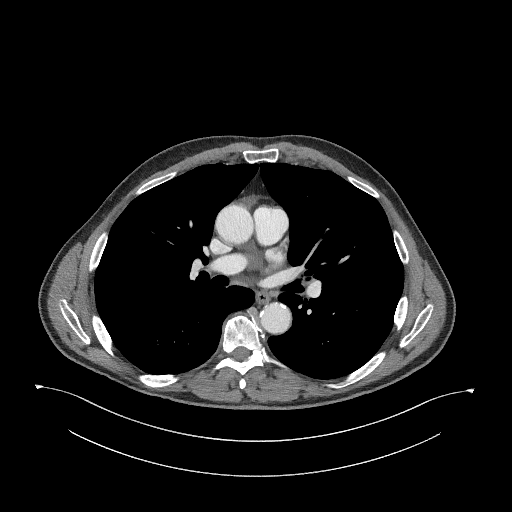
Axial slice 256 of 345 of a contrast-enhanced abdominal CT in the arterial phase (slice 1 is the lowest), 120 kVp, kernel I31f; 2.00 mm slice thickness and 0.977 mm pixels.
Neither a kidney nor a renal mass is outlined here. Only kidneys and renal masses are outlined anywhere in this scan; other structures are never outlined.